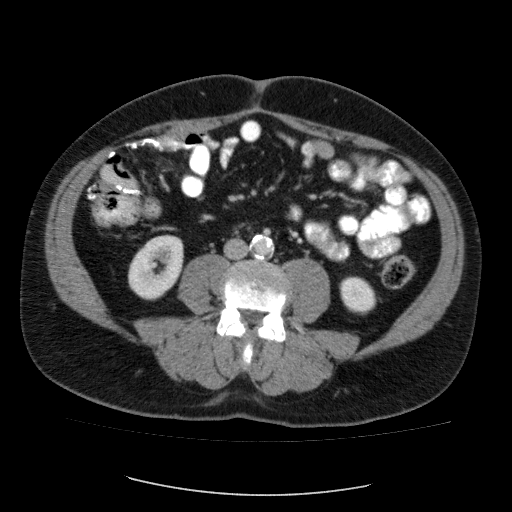
Contrast-enhanced abdominal CT, axial slice 43 of 87 (counted from the lowest slice); tube voltage 120 kVp, convolution kernel FC12; slices 5.00 mm thick, 0.812 mm per pixel.
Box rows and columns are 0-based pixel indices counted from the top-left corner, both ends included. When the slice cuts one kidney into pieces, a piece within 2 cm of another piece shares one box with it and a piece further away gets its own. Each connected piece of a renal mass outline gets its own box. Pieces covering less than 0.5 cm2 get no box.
Two boxes on this slice (two kidney boxes), listed by box centre from the image's left to its right. (1) Box rows 234–300, columns 128–183: right kidney (outlined area 2,761 px, about 18.2 cm2). (2) Left kidney at rows 276–314, columns 339–376 (outlined area 1,098 px, about 7.2 cm2). This slice carries no renal mass outline.